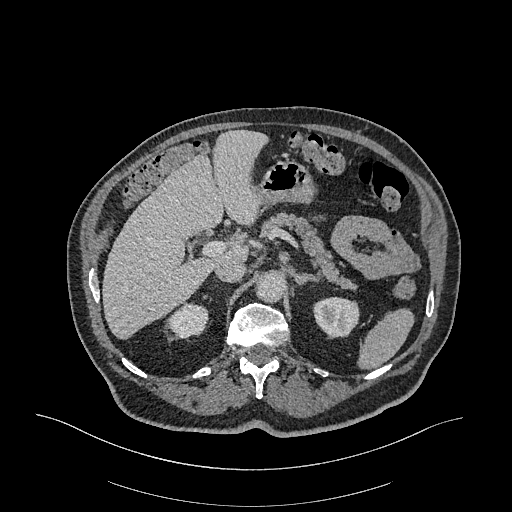
One axial slice (238 of 470, counting up from the lowest) of an arterial-phase abdominal CT acquired with 120 kVp, kernel I26f; each pixel is 0.938 mm and the slice is 1.00 mm thick.
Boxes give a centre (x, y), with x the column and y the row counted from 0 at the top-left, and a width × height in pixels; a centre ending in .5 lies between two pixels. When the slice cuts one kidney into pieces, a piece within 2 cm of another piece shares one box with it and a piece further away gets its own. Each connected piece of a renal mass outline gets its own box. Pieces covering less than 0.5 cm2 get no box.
Boxed on this slice (two kidney boxes), listed by box centre from the image's left to its right: (1) Box centre (187.5, 321.5), 42 × 40 pixels: right kidney (outlined area 1,153 px, about 10.1 cm2). (2) Left kidney in a box with centre (336, 316), 47 × 41 pixels (outlined area 1,498 px, about 13.2 cm2). No renal mass is outlined on this slice.